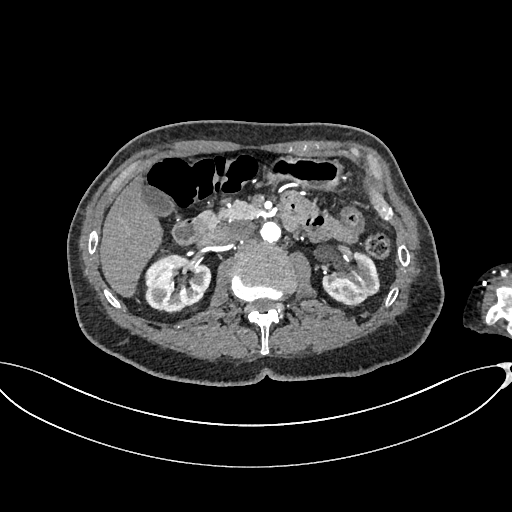
Abdominal CT with intravenous contrast, arterial phase, axial plane, 100 kVp, kernel I26f. Slice 408/665 from the bottom of the scan; thickness 1.00 mm; pixel size 0.828 mm.
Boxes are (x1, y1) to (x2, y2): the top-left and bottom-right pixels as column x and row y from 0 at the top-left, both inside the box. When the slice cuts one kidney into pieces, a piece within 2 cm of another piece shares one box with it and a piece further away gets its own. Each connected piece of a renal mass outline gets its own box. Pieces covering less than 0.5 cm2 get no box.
Two kidney boxes on this slice; by box centre, from the image's left to its right: (1) Right kidney, box (144, 253) to (211, 313) (outlined area 3,088 px, about 21.2 cm2). (2) Box (322, 250) to (380, 306): left kidney (outlined area 2,231 px, about 15.3 cm2). This slice carries no renal mass outline.